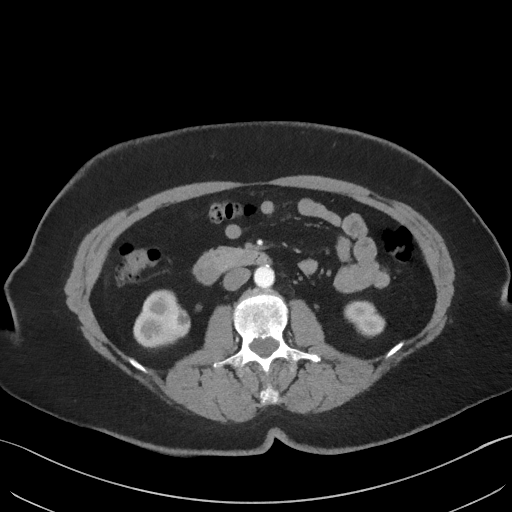
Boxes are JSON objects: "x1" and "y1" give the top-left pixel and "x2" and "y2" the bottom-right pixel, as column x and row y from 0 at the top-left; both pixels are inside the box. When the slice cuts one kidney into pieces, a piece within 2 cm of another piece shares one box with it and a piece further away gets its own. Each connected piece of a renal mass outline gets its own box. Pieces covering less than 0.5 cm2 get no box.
This is axial slice 20 of 69 (slice 1 is the lowest) of an abdominal CT with contrast; each pixel is 0.736 mm and the slice is 3.00 mm thick. Three boxes on this slice (two kidney boxes and one renal mass box), listed by box centre from the image's left to its right. (1) Right kidney at {"x1": 133, "y1": 289, "x2": 180, "y2": 348} (outlined area 1,744 px, about 9.5 cm2). (2) Box {"x1": 161, "y1": 306, "x2": 190, "y2": 337}: right renal mass (outlined area 747 px, about 4.1 cm2). (3) Left kidney at {"x1": 344, "y1": 300, "x2": 385, "y2": 337} (outlined area 1,070 px, about 5.8 cm2).
Scan settings: 140 kVp, I41f reconstruction kernel.